Arterial-phase contrast-enhanced abdominal CT, axial slice 71 of 82 (counted from the lowest slice); tube voltage 120 kVp, convolution kernel B31f; slices 5.00 mm thick, 0.625 mm per pixel.
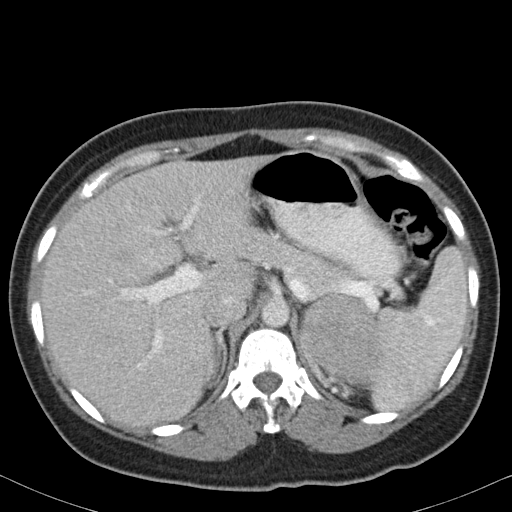
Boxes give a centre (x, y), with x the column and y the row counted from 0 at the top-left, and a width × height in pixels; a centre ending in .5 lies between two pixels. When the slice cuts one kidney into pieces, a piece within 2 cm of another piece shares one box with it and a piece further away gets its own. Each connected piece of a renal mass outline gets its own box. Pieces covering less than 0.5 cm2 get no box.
Left renal mass in a box with centre (338.5, 339), 82 × 95 pixels (outlined area 5,766 px, about 22.5 cm2); no kidney is outlined on this slice, but the same outlined renal mass comes within 1 cm of the kidney on another slice.